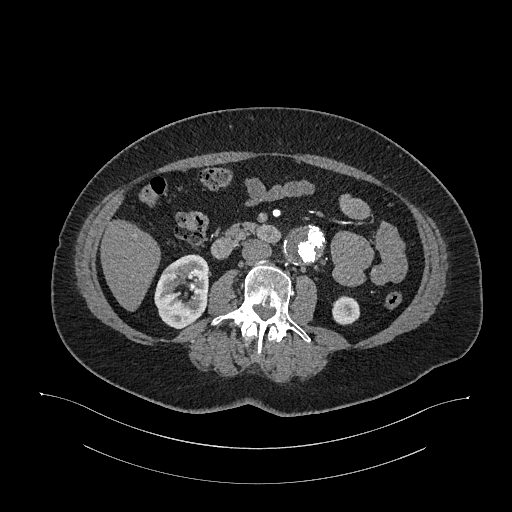
Axial slice 589 of 987 of a contrast-enhanced abdominal CT in the arterial phase (slice 1 is the lowest), 120 kVp, kernel I26f; 1.00 mm slice thickness and 0.977 mm pixels.
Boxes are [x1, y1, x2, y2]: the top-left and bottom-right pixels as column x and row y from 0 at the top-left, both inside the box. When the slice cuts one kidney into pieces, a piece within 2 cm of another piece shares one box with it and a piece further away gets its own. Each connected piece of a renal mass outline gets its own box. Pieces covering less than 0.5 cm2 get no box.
Two kidney boxes on this slice; by box centre, from the image's left to its right: (1) Box [154, 254, 209, 329]: right kidney (outlined area 3,098 px, about 29.5 cm2). (2) Box [332, 296, 360, 325]: left kidney (outlined area 669 px, about 6.4 cm2). This slice carries no renal mass outline.